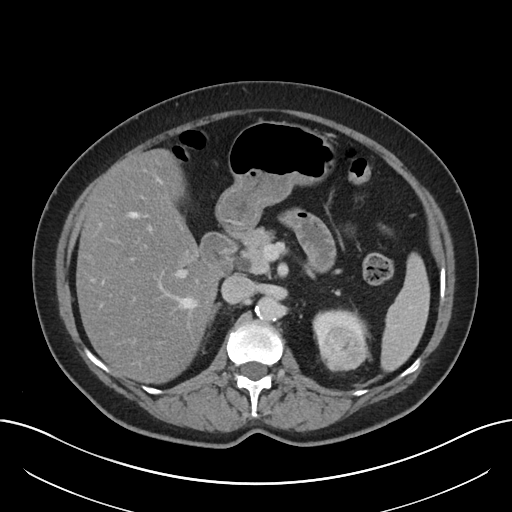
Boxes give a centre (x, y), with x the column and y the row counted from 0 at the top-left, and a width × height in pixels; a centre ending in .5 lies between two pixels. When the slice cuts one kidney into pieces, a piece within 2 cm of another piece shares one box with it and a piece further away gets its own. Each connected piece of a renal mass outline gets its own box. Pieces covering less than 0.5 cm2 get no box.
Slice 131/197 of a contrast-enhanced abdominal CT, counting up from the lowest; pixel size 0.791 mm, slice thickness 5.00 mm. Boxed on this slice (one kidney box and one renal mass box), listed by box centre from the image's left to its right: (1) Left kidney in a box with centre (341, 329.5), 59 × 44 pixels (outlined area 1,194 px, about 7.5 cm2). (2) Box centre (345, 348), 51 × 47 pixels: left renal mass (outlined area 1,756 px, about 11.0 cm2).
Tube voltage 120 kVp; convolution kernel I30f.